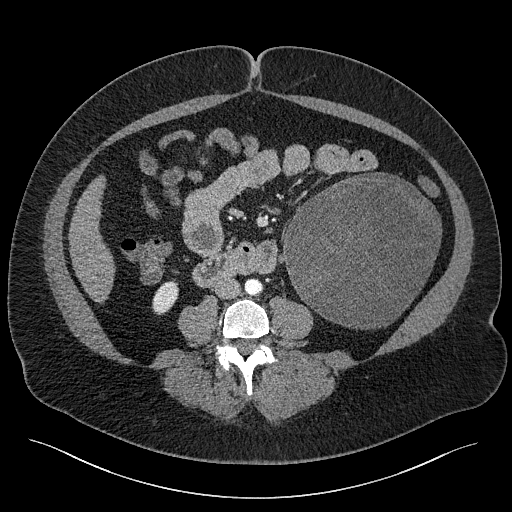
Axial slice 84 of 301 of a contrast-enhanced abdominal CT (slice 1 is the lowest), 120 kVp, kernel I40f; 2.00 mm slice thickness and 0.859 mm pixels.
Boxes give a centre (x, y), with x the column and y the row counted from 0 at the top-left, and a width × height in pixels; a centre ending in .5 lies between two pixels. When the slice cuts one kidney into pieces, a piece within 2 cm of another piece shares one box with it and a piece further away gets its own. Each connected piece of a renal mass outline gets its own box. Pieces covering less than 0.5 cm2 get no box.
Two boxes on this slice (one kidney box and one renal mass box), listed by box centre from the image's left to its right. (1) Right kidney, box centre (165, 297), 27 × 35 pixels (outlined area 662 px, about 4.9 cm2). (2) Box centre (362, 250.5), 161 × 158 pixels: left renal mass (outlined area 18,783 px, about 138.7 cm2); it sits over 1 cm from every kidney outline on this slice, but the same outlined renal mass comes within 1 cm of the kidney on another slice.